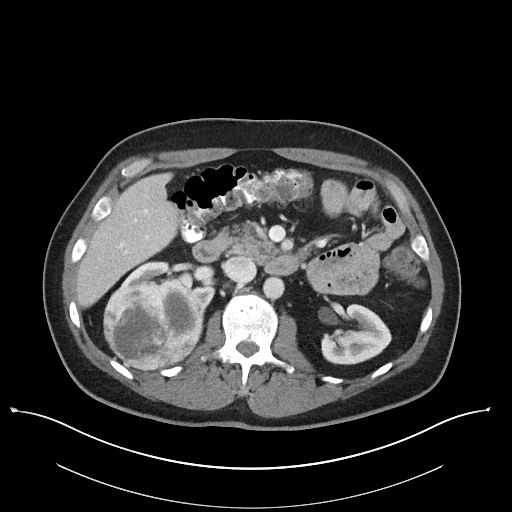
Abdominal CT with intravenous contrast, axial plane, 100 kVp, kernel I40f. Slice 70/101 from the bottom of the scan; thickness 5.00 mm; pixel size 0.879 mm.
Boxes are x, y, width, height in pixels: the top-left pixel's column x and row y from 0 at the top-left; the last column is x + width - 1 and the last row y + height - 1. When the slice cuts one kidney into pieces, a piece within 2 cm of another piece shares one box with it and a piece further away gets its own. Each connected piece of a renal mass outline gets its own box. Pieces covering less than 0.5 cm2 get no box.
Three boxes on this slice (two kidney boxes and one renal mass box), listed by box centre from the image's left to its right. (1) Right renal mass, box x 103, y 279, width 103, height 93 (outlined area 7,347 px, about 56.8 cm2). (2) Right kidney, box x 121, y 261, width 95, height 47 (outlined area 1,624 px, about 12.5 cm2). (3) Left kidney, box x 320, y 303, width 72, height 62 (outlined area 2,815 px, about 21.7 cm2).